One axial slice (479 of 673, counting up from the lowest) of an arterial-phase abdominal CT acquired with 140 kVp, kernel I30f; each pixel is 0.957 mm and the slice is 1.00 mm thick.
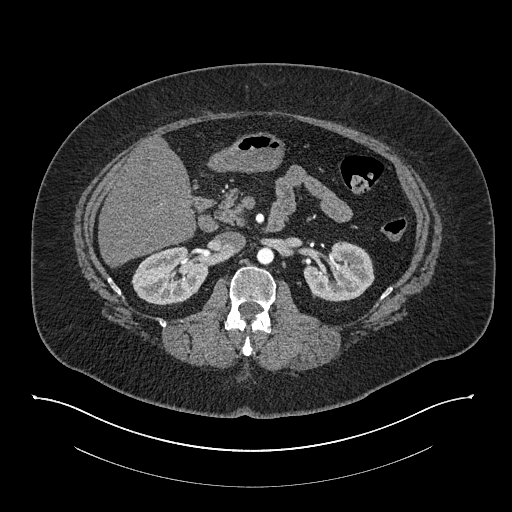
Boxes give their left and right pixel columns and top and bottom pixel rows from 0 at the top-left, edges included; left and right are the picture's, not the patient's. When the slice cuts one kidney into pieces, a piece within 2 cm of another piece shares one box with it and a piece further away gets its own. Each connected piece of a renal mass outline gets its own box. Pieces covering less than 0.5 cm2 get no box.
Boxed on this slice (two kidney boxes), listed by box centre from the image's left to its right: (1) Box with left 131, top 246, right 208, bottom 305: right kidney (outlined area 3,356 px, about 30.7 cm2). (2) Left kidney, the box with left 303, top 241, right 374, bottom 301 (outlined area 3,164 px, about 29.0 cm2). No renal mass is outlined on this slice.